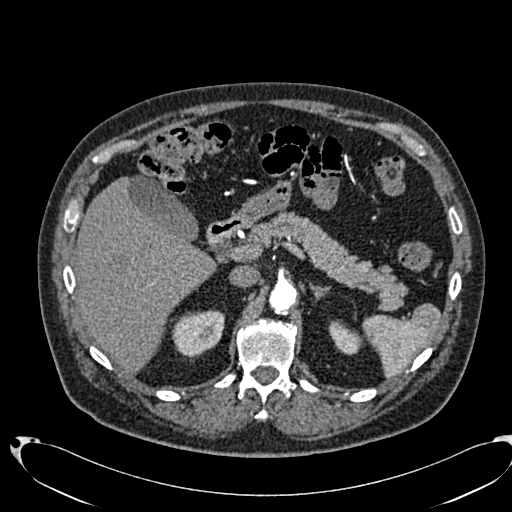
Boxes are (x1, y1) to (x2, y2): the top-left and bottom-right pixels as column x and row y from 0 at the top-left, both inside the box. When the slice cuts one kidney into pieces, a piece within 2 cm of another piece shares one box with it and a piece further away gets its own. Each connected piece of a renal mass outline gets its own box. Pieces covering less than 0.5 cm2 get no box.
This is axial slice 487 of 553 (slice 1 is the lowest) of an arterial-phase abdominal CT with contrast; each pixel is 0.773 mm and the slice is 1.00 mm thick. Two boxes on this slice (two kidney boxes), listed by box centre from the image's left to its right. (1) Box (172, 310) to (224, 361): right kidney (outlined area 1,931 px, about 11.6 cm2). (2) Left kidney from (328, 320) to (362, 355) (outlined area 783 px, about 4.7 cm2). No renal mass outline on this slice.
Tube voltage 120 kVp; convolution kernel B20f.